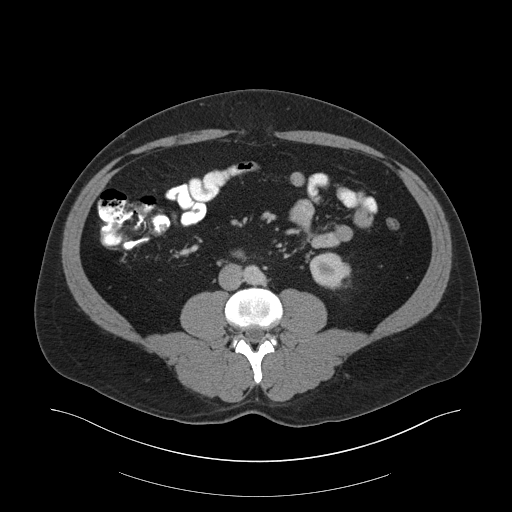
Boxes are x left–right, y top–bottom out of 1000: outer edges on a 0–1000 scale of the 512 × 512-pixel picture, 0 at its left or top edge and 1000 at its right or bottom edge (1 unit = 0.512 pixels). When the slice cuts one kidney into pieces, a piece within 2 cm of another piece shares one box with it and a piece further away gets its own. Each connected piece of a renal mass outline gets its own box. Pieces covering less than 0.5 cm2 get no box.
This is axial slice 86 of 159 (slice 1 is the lowest) of an arterial-phase abdominal CT with contrast; each pixel is 0.977 mm and the slice is 3.00 mm thick. Left kidney, box x 604–688, y 492–566 out of 1000 (outlined area 1,152 px, about 11.0 cm2). No renal mass outline on this slice.
Tube voltage 140 kVp; convolution kernel B30f.